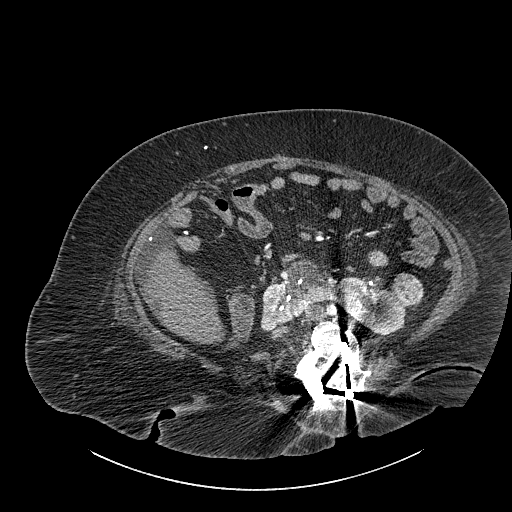
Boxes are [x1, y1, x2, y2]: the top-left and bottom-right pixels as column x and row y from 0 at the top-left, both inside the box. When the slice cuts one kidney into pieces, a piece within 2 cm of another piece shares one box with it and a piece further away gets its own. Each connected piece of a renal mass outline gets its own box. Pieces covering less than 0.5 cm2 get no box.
Slice 486/834 of a contrast-enhanced abdominal CT, counting up from the lowest; pixel size 0.977 mm, slice thickness 1.00 mm. Two boxes on this slice (one kidney box and one renal mass box), listed by box centre from the image's left to its right. (1) Kidney crossing the body midline at [260, 260, 406, 334] (outlined area 5,719 px, about 54.5 cm2). (2) Renal mass, box [392, 273, 423, 306] (outlined area 855 px, about 8.2 cm2).
Tube voltage 140 kVp; convolution kernel I30f.